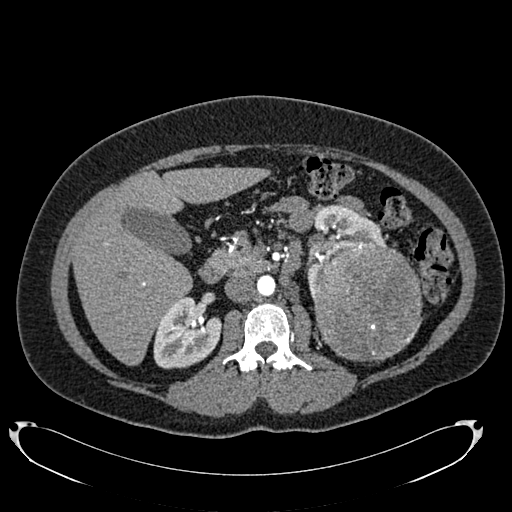
Axial slice 440 of 634 of a contrast-enhanced abdominal CT in the arterial phase (slice 1 is the lowest), 120 kVp, kernel B20f; 1.00 mm slice thickness and 0.838 mm pixels.
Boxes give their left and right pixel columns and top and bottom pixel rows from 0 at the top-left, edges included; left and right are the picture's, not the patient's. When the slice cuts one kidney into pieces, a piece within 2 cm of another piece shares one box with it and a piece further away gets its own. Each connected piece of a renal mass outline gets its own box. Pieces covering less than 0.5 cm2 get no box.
Three boxes on this slice (two kidney boxes and one renal mass box), listed by box centre from the image's left to its right. (1) Right kidney in the box with left 153, top 296, right 221, bottom 368 (outlined area 3,596 px, about 25.2 cm2). (2) Box with left 305, top 204, right 385, bottom 297: left kidney (outlined area 2,999 px, about 21.1 cm2). (3) Box with left 312, top 242, right 422, bottom 361: left renal mass (outlined area 10,542 px, about 74.0 cm2).